Axial slice 37 of 103 of a contrast-enhanced abdominal CT (slice 1 is the lowest), 120 kVp, kernel STANDARD; 2.50 mm slice thickness and 0.820 mm pixels.
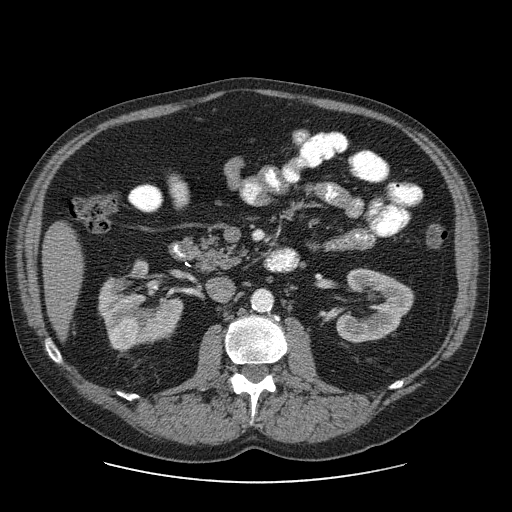
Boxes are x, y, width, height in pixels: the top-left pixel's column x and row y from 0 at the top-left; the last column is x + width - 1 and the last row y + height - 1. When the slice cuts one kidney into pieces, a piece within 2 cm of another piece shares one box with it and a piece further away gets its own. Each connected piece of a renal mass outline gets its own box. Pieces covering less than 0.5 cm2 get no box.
Boxed on this slice (two kidney boxes and one renal mass box), listed by box centre from the image's left to its right: (1) Right renal mass, box x 106, y 318, width 32, height 33 (outlined area 816 px, about 5.5 cm2). (2) Right kidney at x 98, y 259, width 86, height 87 (outlined area 4,011 px, about 27.0 cm2). (3) Left kidney at x 335, y 268, width 80, height 75 (outlined area 3,649 px, about 24.6 cm2).